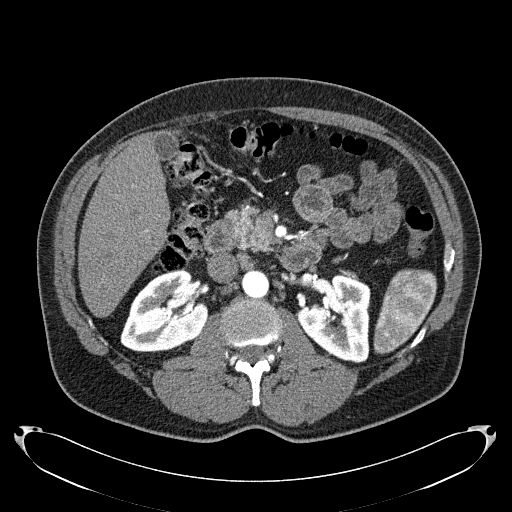
Axial slice 123 of 279 of a contrast-enhanced abdominal CT in the arterial phase (slice 1 is the lowest), 120 kVp, kernel B31f; 2.00 mm slice thickness and 0.824 mm pixels.
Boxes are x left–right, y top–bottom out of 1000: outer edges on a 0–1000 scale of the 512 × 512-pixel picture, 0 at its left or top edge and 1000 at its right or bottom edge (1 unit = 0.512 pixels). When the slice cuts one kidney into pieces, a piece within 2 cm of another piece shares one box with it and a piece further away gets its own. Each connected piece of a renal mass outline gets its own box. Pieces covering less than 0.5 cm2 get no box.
Boxed on this slice (two kidney boxes), listed by box centre from the image's left to its right: (1) Right kidney at x 234–408, y 523–689 out of 1000 (outlined area 5,216 px, about 35.4 cm2). (2) Box x 576–725, y 535–709 out of 1000: left kidney (outlined area 4,631 px, about 31.5 cm2). No renal mass outline on this slice.